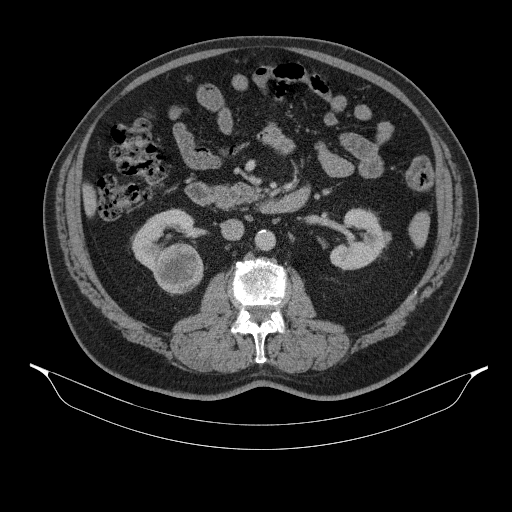
Abdominal CT with intravenous contrast, axial plane, 130 kVp, kernel B31s. Slice 193/314 from the bottom of the scan; thickness 2.50 mm; pixel size 0.934 mm.
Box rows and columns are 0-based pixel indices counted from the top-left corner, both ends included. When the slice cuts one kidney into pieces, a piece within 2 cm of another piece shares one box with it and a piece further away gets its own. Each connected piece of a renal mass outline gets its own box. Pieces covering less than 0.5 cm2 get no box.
Boxed on this slice (two kidney boxes and one renal mass box), listed by box centre from the image's left to its right: (1) Right kidney at rows 208–271, columns 131–194 (outlined area 2,046 px, about 17.8 cm2). (2) Box rows 243–294, columns 153–203: right renal mass (outlined area 2,061 px, about 18.0 cm2). (3) Left kidney, box rows 208–270, columns 329–391 (outlined area 2,476 px, about 21.6 cm2).